One axial slice (363 of 683, counting up from the lowest) of an arterial-phase abdominal CT acquired with 120 kVp, kernel I30f; each pixel is 0.738 mm and the slice is 1.00 mm thick.
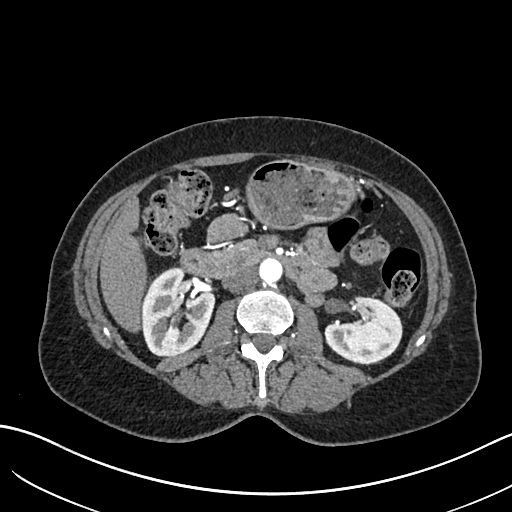
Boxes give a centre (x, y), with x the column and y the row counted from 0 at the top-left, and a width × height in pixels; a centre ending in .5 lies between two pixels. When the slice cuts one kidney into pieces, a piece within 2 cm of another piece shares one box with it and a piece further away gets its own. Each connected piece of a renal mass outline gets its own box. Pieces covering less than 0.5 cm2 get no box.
Two boxes on this slice (two kidney boxes), listed by box centre from the image's left to its right. (1) Box centre (177.5, 311.5), 76 × 90 pixels: right kidney (outlined area 4,968 px, about 27.1 cm2). (2) Left kidney, box centre (363, 328.5), 79 × 66 pixels (outlined area 3,623 px, about 19.7 cm2). This slice carries no renal mass outline.